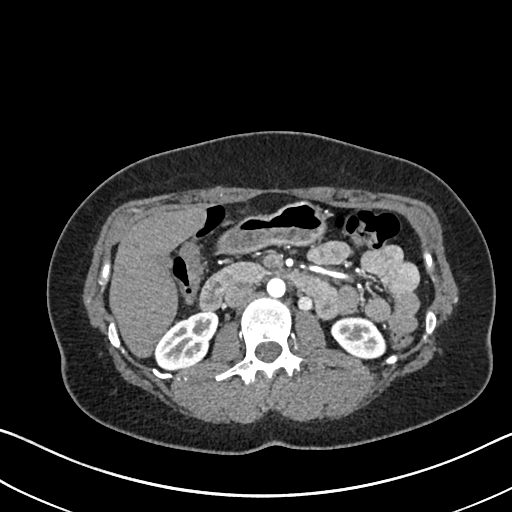
Axial slice 394 of 612 of a contrast-enhanced abdominal CT in the arterial phase (slice 1 is the lowest), 120 kVp, kernel I30f; 1.00 mm slice thickness and 0.703 mm pixels.
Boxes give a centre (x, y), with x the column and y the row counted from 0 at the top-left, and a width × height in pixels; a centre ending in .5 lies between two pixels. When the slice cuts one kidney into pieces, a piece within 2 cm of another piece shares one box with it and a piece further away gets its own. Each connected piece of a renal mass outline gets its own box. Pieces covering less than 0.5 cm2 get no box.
Boxed on this slice (two kidney boxes), listed by box centre from the image's left to its right: (1) Box centre (186.5, 340.5), 64 × 60 pixels: right kidney (outlined area 2,495 px, about 12.3 cm2). (2) Left kidney in a box with centre (358, 337.5), 55 × 44 pixels (outlined area 1,764 px, about 8.7 cm2). No renal mass outline on this slice.